One axial slice (288 of 548, counting up from the lowest) of an arterial-phase abdominal CT acquired with 120 kVp, kernel I26f; each pixel is 0.852 mm and the slice is 1.00 mm thick.
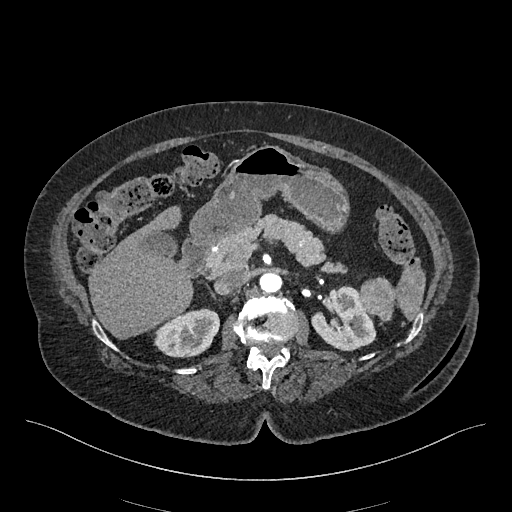
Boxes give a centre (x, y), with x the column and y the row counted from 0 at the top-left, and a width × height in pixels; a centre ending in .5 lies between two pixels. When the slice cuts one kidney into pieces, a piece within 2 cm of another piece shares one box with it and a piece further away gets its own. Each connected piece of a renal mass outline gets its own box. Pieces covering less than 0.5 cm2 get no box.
Three boxes on this slice (two kidney boxes and one renal mass box), listed by box centre from the image's left to its right. (1) Box centre (186.5, 332.5), 66 × 50 pixels: right kidney (outlined area 2,419 px, about 17.5 cm2). (2) Left kidney in a box with centre (343.5, 318.5), 66 × 66 pixels (outlined area 2,865 px, about 20.8 cm2). (3) Box centre (376.5, 299), 38 × 45 pixels: left renal mass (outlined area 1,246 px, about 9.0 cm2).